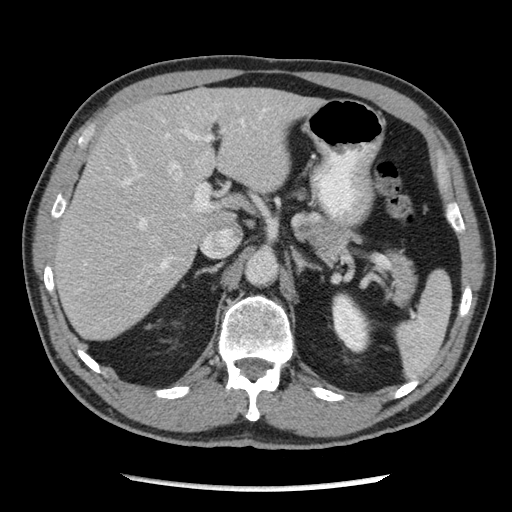
One axial slice (143 of 262, counting up from the lowest) of an arterial-phase abdominal CT acquired with 120 kVp, kernel STANDARD; each pixel is 0.703 mm and the slice is 2.50 mm thick.
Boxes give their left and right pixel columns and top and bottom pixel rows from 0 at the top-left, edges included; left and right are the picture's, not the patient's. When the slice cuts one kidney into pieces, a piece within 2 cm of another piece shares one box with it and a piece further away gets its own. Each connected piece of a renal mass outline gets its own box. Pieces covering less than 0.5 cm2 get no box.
Left kidney in the box with left 331, top 291, right 368, bottom 353 (outlined area 1,673 px, about 8.3 cm2). No renal mass outline on this slice.